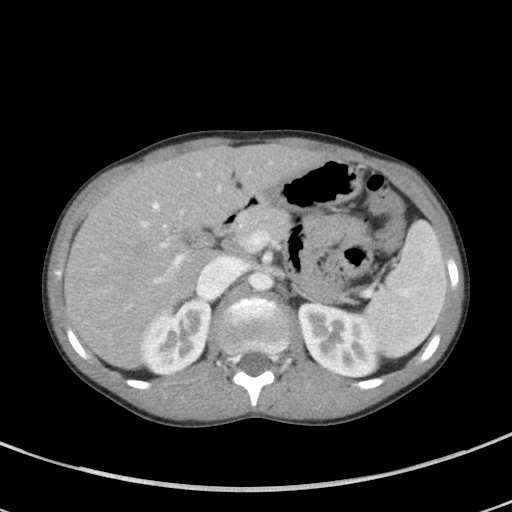
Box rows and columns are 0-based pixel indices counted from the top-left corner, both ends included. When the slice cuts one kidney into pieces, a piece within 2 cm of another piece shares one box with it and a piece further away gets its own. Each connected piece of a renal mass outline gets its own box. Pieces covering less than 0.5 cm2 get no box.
Slice 46/94 of a contrast-enhanced abdominal CT in the arterial phase, counting up from the lowest; pixel size 0.551 mm, slice thickness 5.00 mm. Two boxes on this slice (two kidney boxes), listed by box centre from the image's left to its right. (1) Right kidney, box rows 298–375, columns 138–210 (outlined area 3,988 px, about 12.1 cm2). (2) Box rows 302–377, columns 298–380: left kidney (outlined area 4,542 px, about 13.8 cm2). This slice carries no renal mass outline.
Tube voltage 100 kVp; convolution kernel I41f.